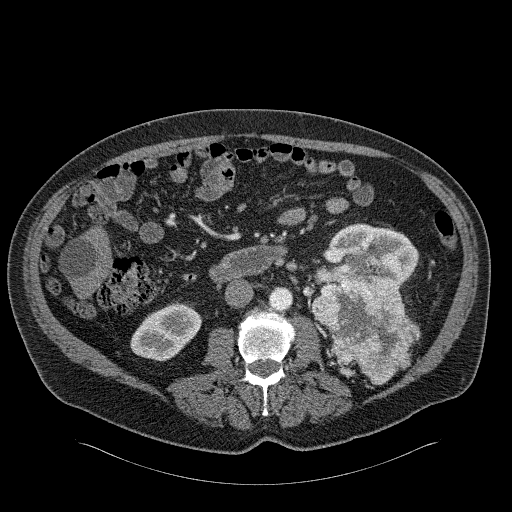
Arterial-phase contrast-enhanced abdominal CT, axial slice 103 of 326 (counted from the lowest slice); tube voltage 120 kVp, convolution kernel B31f; slices 2.00 mm thick, 0.963 mm per pixel.
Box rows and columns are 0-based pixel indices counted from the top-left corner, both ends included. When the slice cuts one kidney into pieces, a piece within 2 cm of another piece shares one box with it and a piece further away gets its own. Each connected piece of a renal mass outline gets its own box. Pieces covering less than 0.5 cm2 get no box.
Boxed on this slice (two kidney boxes and two renal mass boxes), listed by box centre from the image's left to its right: (1) Box rows 301–361, columns 130–201: right kidney (outlined area 2,876 px, about 26.7 cm2). (2) Left renal mass, box rows 275–384, columns 311–418 (outlined area 7,842 px, about 72.7 cm2). (3) Left kidney at rows 223–293, columns 316–418 (outlined area 4,450 px, about 41.3 cm2). (4) Left renal mass at rows 256–265, columns 367–374 (outlined area 63 px, about 0.6 cm2).